One axial slice (114 of 279, counting up from the lowest) of an arterial-phase abdominal CT acquired with 120 kVp, kernel B31f; each pixel is 0.824 mm and the slice is 2.00 mm thick.
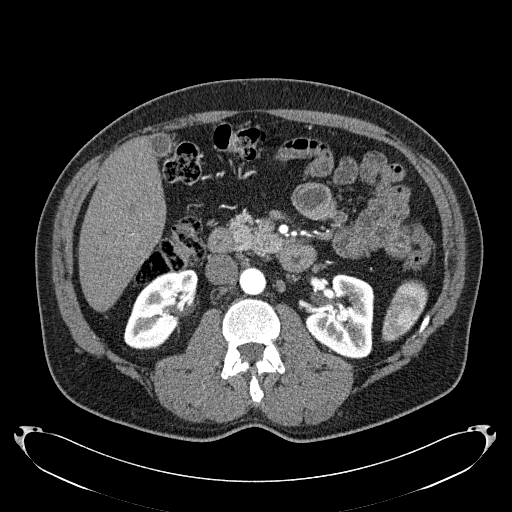
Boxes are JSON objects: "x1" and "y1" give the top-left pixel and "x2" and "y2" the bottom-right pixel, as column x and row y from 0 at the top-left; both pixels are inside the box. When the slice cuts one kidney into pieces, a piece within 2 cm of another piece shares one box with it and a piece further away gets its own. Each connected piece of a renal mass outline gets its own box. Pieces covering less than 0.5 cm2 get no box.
Two kidney boxes on this slice; by box centre, from the image's left to its right: (1) Box {"x1": 124, "y1": 269, "x2": 198, "y2": 349}: right kidney (outlined area 3,953 px, about 26.9 cm2). (2) Left kidney at {"x1": 304, "y1": 274, "x2": 374, "y2": 358} (outlined area 4,432 px, about 30.1 cm2). No renal mass outline on this slice.